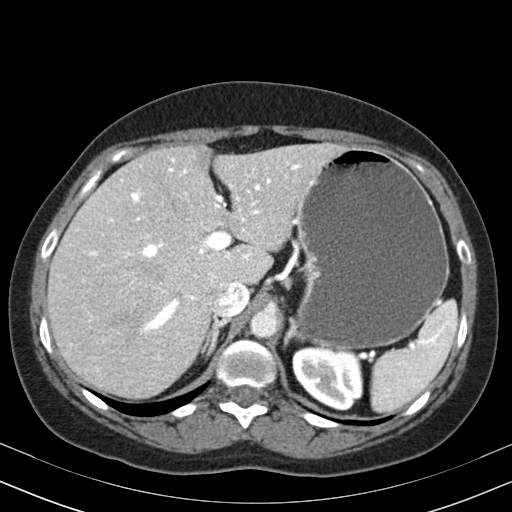
One axial slice (135 of 164, counting up from the lowest) of an arterial-phase abdominal CT acquired with 130 kVp, kernel B30s; each pixel is 0.664 mm and the slice is 3.00 mm thick.
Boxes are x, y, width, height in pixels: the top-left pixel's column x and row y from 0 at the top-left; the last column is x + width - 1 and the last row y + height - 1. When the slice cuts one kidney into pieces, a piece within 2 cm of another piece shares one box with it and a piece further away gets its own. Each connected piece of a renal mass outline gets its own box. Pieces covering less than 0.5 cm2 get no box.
Left kidney, box x 292, y 346, width 71, height 64 (outlined area 3,562 px, about 15.7 cm2). No renal mass is outlined on this slice.